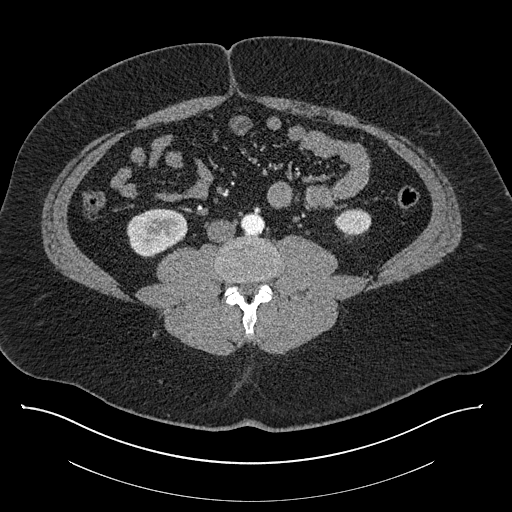
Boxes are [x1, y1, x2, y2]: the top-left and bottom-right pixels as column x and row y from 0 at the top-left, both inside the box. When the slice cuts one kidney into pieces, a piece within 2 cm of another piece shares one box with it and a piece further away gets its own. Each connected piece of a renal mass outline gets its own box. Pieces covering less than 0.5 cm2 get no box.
Contrast-enhanced abdominal CT, axial slice 354 of 787 (counted from the lowest slice); 1.00 mm thick, 0.910 mm per pixel. Two kidney boxes on this slice; by box centre, from the image's left to its right: (1) Right kidney at [126, 208, 187, 255] (outlined area 2,232 px, about 18.5 cm2). (2) Left kidney, box [334, 208, 371, 235] (outlined area 810 px, about 6.7 cm2). This slice carries no renal mass outline.
Scan settings: 140 kVp, I30f reconstruction kernel.